Arterial-phase contrast-enhanced abdominal CT, axial slice 428 of 581 (counted from the lowest slice); tube voltage 120 kVp, convolution kernel B30f; slices 1.00 mm thick, 0.713 mm per pixel.
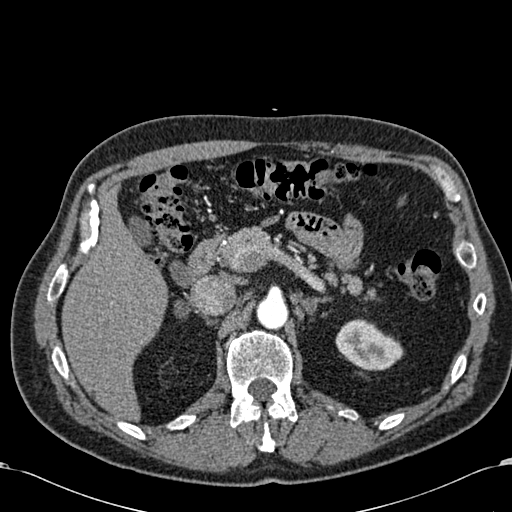
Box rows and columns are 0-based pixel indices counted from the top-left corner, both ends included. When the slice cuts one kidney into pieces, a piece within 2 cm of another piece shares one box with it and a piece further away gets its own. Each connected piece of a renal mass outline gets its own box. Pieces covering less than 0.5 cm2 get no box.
Box rows 319–370, columns 335–403: left kidney (outlined area 2,465 px, about 12.5 cm2). No renal mass outline on this slice.